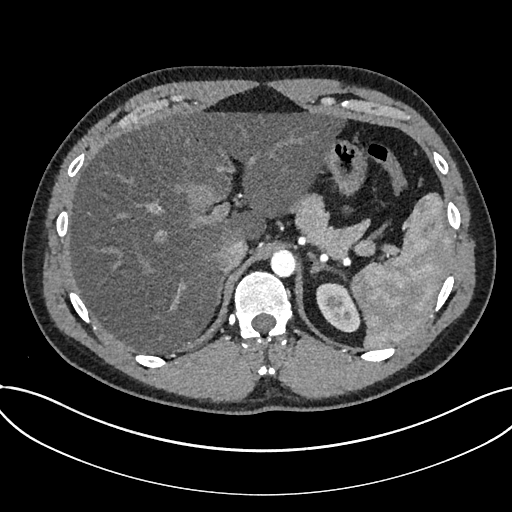
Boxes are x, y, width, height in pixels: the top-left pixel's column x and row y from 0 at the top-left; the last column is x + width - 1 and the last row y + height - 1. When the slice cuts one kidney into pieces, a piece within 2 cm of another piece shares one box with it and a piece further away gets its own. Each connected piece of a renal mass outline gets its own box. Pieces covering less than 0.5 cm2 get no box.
Slice 574/735 of a contrast-enhanced abdominal CT in the arterial phase, counting up from the lowest; pixel size 0.789 mm, slice thickness 1.00 mm. Kidney at x 316, y 282, width 45, height 51 (outlined area 1,585 px, about 9.9 cm2). No renal mass outline on this slice.
Tube voltage 120 kVp; convolution kernel I30f.